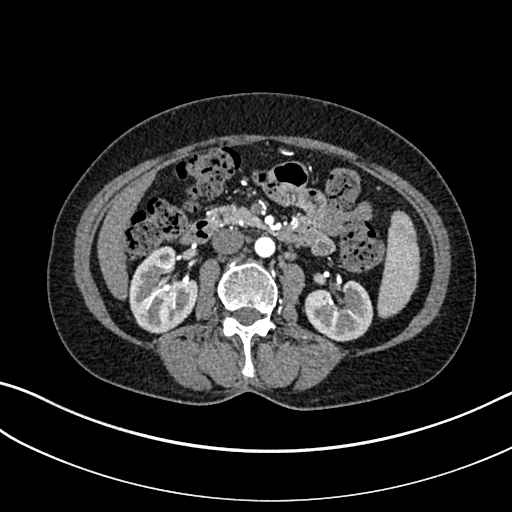
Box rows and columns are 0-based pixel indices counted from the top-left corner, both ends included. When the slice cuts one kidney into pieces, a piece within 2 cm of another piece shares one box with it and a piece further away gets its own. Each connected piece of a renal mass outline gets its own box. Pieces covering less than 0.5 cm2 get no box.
Slice 149/325 of a contrast-enhanced abdominal CT in the arterial phase, counting up from the lowest; pixel size 0.703 mm, slice thickness 1.00 mm. Boxed on this slice (two kidney boxes), listed by box centre from the image's left to its right: (1) Right kidney, box rows 246–333, columns 128–198 (outlined area 4,296 px, about 21.2 cm2). (2) Box rows 280–341, columns 304–373: left kidney (outlined area 3,166 px, about 15.7 cm2). No renal mass outline on this slice.
Tube voltage 100 kVp; convolution kernel I30f.